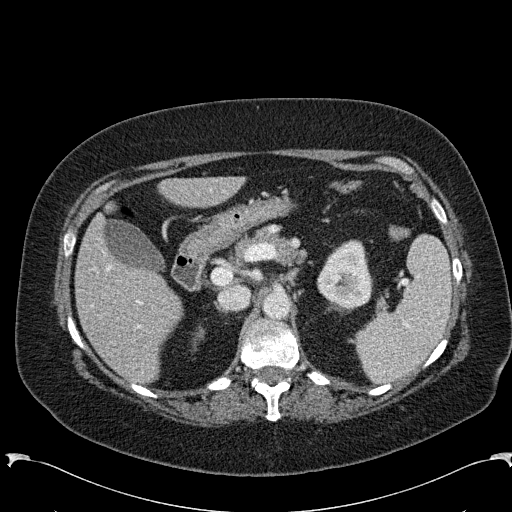
Arterial-phase contrast-enhanced abdominal CT, axial slice 172 of 285 (counted from the lowest slice); tube voltage 120 kVp, convolution kernel B31f; slices 2.00 mm thick, 0.762 mm per pixel.
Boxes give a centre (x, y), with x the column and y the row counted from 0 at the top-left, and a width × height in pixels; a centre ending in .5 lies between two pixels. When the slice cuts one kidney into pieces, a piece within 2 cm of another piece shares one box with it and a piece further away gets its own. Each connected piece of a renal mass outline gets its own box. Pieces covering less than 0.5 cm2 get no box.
Two kidney boxes on this slice; by box centre, from the image's left to its right: (1) Right kidney, box centre (198, 338.5), 13 × 26 pixels (outlined area 166 px, about 1.0 cm2). (2) Left kidney, box centre (344.5, 274), 58 × 71 pixels (outlined area 2,884 px, about 16.7 cm2). No renal mass is outlined on this slice.